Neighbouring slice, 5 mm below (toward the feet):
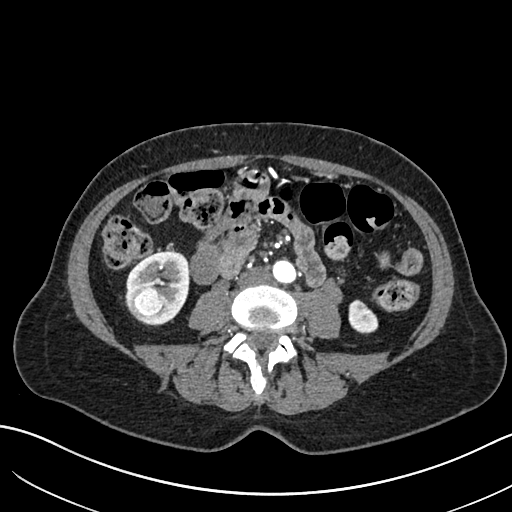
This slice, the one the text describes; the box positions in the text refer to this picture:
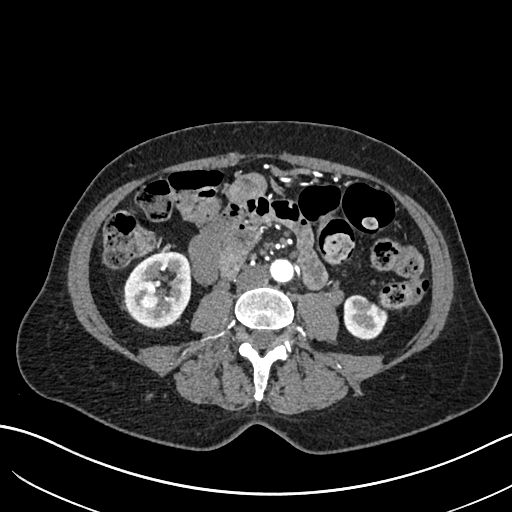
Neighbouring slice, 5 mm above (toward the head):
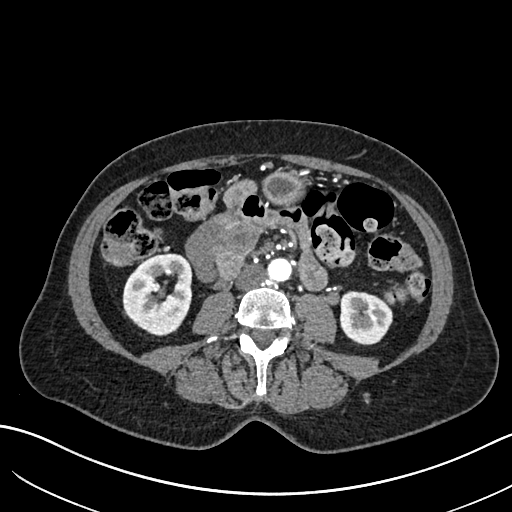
Axial slice 295 of 683 of a contrast-enhanced abdominal CT in the arterial phase (slice 1 is the lowest), 120 kVp, kernel I30f; 1.00 mm slice thickness and 0.738 mm pixels.
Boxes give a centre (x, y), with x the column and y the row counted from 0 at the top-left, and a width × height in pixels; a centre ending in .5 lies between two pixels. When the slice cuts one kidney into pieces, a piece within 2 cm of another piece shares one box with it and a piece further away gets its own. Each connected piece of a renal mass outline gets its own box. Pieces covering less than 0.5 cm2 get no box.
Two kidney boxes and one renal mass box on this slice; by box centre, from the image's left to its right: (1) Right renal mass, box centre (149.5, 299.5), 24 × 20 pixels (outlined area 361 px, about 2.0 cm2). (2) Box centre (157.5, 289.5), 68 × 78 pixels: right kidney (outlined area 3,779 px, about 20.6 cm2). (3) Box centre (365.5, 317), 44 × 47 pixels: left kidney (outlined area 1,483 px, about 8.1 cm2). This slice lies near the end of the right renal mass toward the head; the slices 5 mm below and 5 mm above it are shown too, and the boxes mark positions on this slice only.